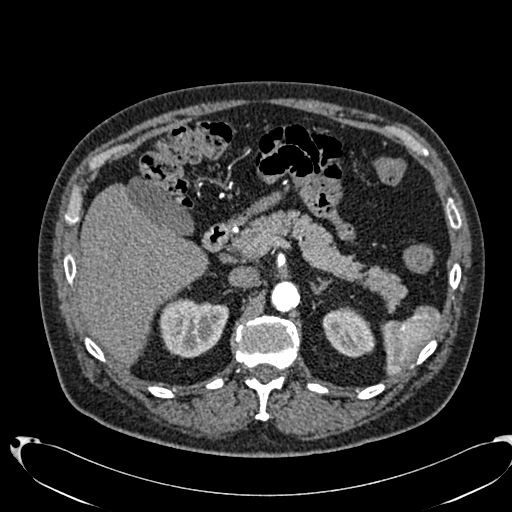
Axial slice 476 of 553 of a contrast-enhanced abdominal CT in the arterial phase (slice 1 is the lowest), 120 kVp, kernel B20f; 1.00 mm slice thickness and 0.773 mm pixels.
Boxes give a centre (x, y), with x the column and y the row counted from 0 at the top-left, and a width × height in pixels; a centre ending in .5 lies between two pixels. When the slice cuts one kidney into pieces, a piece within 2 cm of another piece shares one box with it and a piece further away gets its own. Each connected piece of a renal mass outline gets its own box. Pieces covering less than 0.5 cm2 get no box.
Two boxes on this slice (two kidney boxes), listed by box centre from the image's left to its right. (1) Right kidney, box centre (193.5, 327.5), 70 × 60 pixels (outlined area 3,187 px, about 19.1 cm2). (2) Left kidney in a box with centre (348.5, 331.5), 54 × 52 pixels (outlined area 1,961 px, about 11.7 cm2). This slice carries no renal mass outline.